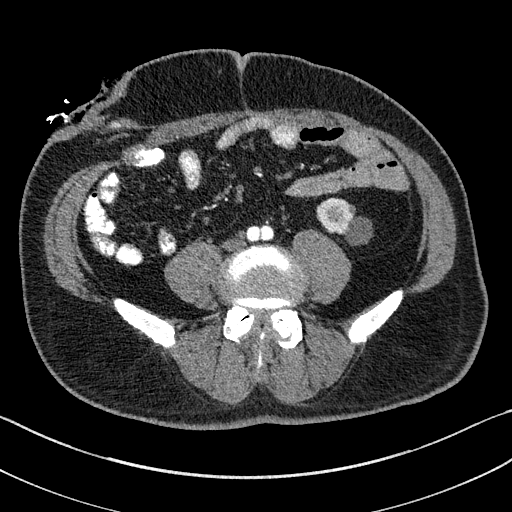
Arterial-phase contrast-enhanced abdominal CT, axial slice 28 of 195 (counted from the lowest slice); tube voltage 100 kVp, convolution kernel I31f; slices 1.50 mm thick, 0.707 mm per pixel.
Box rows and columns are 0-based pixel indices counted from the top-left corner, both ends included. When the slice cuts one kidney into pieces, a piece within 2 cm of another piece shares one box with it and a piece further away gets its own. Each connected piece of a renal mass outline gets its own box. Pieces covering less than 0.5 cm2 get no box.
Box rows 198–243, columns 317–370: left kidney (outlined area 1,535 px, about 7.7 cm2). This slice carries no renal mass outline.